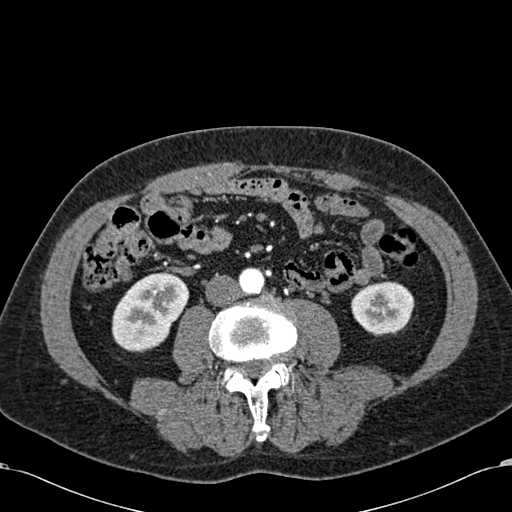
Abdominal CT with intravenous contrast, arterial phase, axial plane, 120 kVp, kernel B30f. Slice 243/581 from the bottom of the scan; thickness 1.00 mm; pixel size 0.713 mm.
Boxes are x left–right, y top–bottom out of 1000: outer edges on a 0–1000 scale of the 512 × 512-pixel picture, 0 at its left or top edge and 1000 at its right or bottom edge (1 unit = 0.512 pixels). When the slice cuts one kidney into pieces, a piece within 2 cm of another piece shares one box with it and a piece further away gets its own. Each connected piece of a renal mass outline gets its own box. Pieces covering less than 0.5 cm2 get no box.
Two kidney boxes on this slice; by box centre, from the image's left to its right: (1) Right kidney, box x 217–371, y 529–689 out of 1000 (outlined area 4,379 px, about 22.3 cm2). (2) Left kidney, box x 686–811, y 549–654 out of 1000 (outlined area 2,684 px, about 13.6 cm2). No renal mass outline on this slice.